Abdominal CT with intravenous contrast, arterial phase, axial plane, 120 kVp, kernel B30f. Slice 301/512 from the bottom of the scan; thickness 1.00 mm; pixel size 0.771 mm.
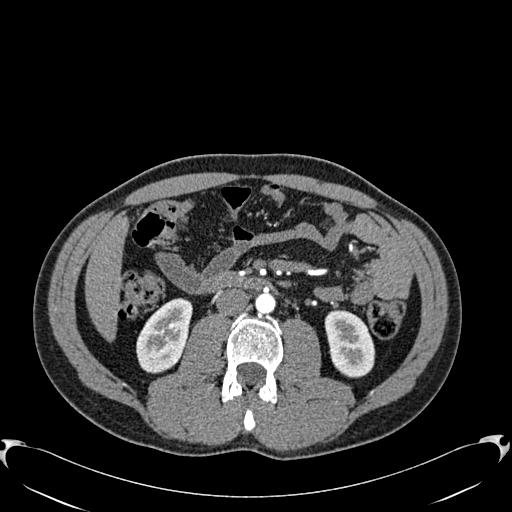
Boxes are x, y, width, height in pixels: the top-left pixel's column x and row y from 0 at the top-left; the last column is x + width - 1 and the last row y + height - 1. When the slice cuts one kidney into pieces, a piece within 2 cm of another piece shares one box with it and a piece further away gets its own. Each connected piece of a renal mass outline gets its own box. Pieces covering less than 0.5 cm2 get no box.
Boxed on this slice (two kidney boxes), listed by box centre from the image's left to its right: (1) Right kidney, box x 136, y 298, width 57, height 76 (outlined area 3,004 px, about 17.9 cm2). (2) Left kidney at x 324, y 309, width 52, height 69 (outlined area 2,657 px, about 15.8 cm2). This slice carries no renal mass outline.